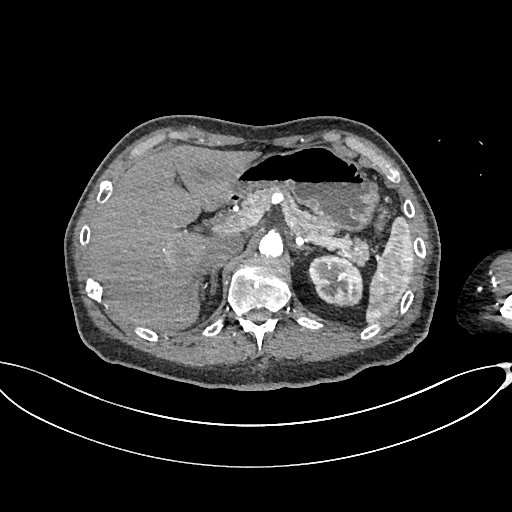
Abdominal CT with intravenous contrast, arterial phase, axial plane, 100 kVp, kernel I26f. Slice 486/665 from the bottom of the scan; thickness 1.00 mm; pixel size 0.828 mm.
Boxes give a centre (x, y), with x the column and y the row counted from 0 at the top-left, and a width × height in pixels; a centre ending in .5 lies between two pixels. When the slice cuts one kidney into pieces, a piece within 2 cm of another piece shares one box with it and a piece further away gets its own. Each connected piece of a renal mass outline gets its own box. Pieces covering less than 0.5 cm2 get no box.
Left kidney, box centre (335, 280), 57 × 53 pixels (outlined area 2,258 px, about 15.5 cm2). No renal mass outline on this slice.